One axial slice (113 of 234, counting up from the lowest) of an arterial-phase abdominal CT acquired with 100 kVp, kernel I40f; each pixel is 0.699 mm and the slice is 2.00 mm thick.
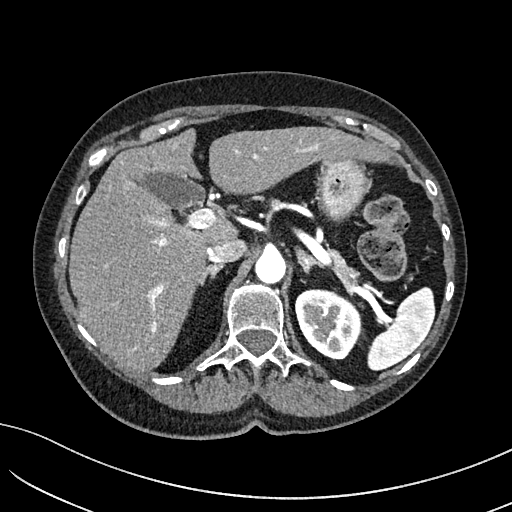
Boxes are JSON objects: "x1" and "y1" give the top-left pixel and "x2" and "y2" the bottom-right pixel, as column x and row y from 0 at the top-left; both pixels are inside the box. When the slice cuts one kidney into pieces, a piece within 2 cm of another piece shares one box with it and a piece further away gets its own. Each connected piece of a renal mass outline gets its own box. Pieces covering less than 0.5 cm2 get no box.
Left kidney at {"x1": 295, "y1": 289, "x2": 361, "y2": 359} (outlined area 3,546 px, about 17.3 cm2). No renal mass is outlined on this slice.